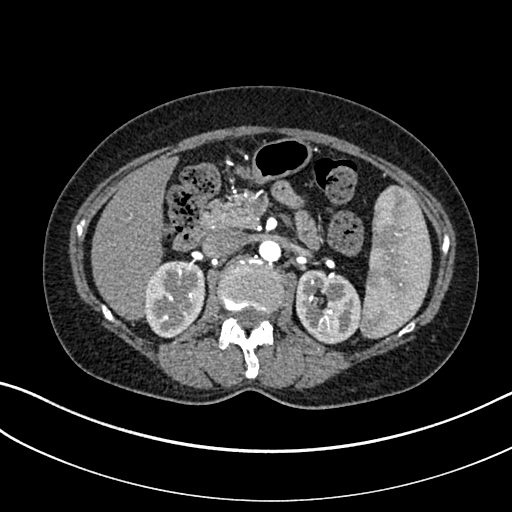
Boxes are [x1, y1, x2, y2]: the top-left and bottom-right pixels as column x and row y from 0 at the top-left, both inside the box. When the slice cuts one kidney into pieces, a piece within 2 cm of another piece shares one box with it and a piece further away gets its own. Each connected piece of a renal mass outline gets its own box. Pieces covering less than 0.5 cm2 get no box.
This is axial slice 188 of 325 (slice 1 is the lowest) of an arterial-phase abdominal CT with contrast; each pixel is 0.703 mm and the slice is 1.00 mm thick. Two boxes on this slice (two kidney boxes), listed by box centre from the image's left to its right. (1) Box [144, 260, 205, 338]: right kidney (outlined area 3,774 px, about 18.7 cm2). (2) Left kidney at [295, 270, 361, 344] (outlined area 3,803 px, about 18.8 cm2).
Acquired at 100 kVp and reconstructed with the I30f kernel.